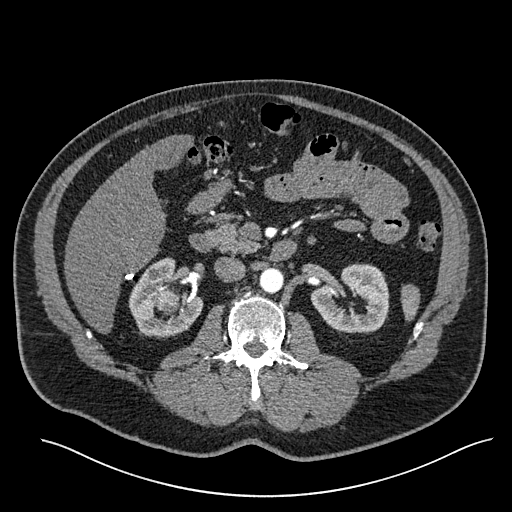
One axial slice (333 of 527, counting up from the lowest) of an arterial-phase abdominal CT acquired with 120 kVp, kernel I30f; each pixel is 0.859 mm and the slice is 1.00 mm thick.
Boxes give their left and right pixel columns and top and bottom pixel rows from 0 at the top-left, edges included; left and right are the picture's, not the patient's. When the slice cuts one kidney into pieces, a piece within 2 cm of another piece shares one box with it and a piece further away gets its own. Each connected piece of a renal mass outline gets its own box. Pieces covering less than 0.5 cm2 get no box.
Boxed on this slice (two kidney boxes and one renal mass box), listed by box centre from the image's left to its right: (1) Box with left 128, top 257, right 203, bottom 338: right kidney (outlined area 3,510 px, about 25.9 cm2). (2) Right renal mass, the box with left 154, top 287, right 180, bottom 314 (outlined area 599 px, about 4.4 cm2). (3) Box with left 310, top 263, right 389, bottom 333: left kidney (outlined area 3,866 px, about 28.6 cm2).